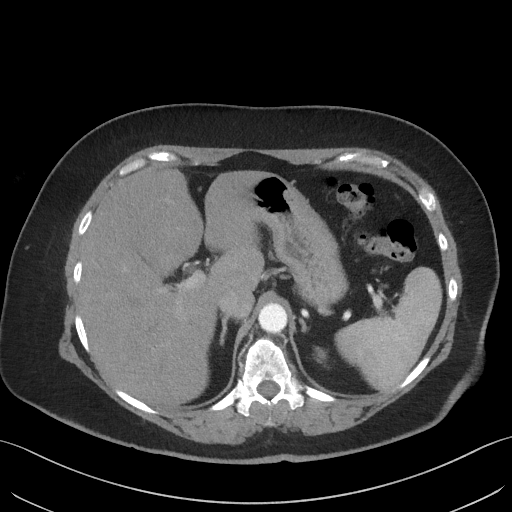
One axial slice (49 of 69, counting up from the lowest) of a contrast-enhanced abdominal CT acquired with 140 kVp, kernel I41f; each pixel is 0.736 mm and the slice is 3.00 mm thick.
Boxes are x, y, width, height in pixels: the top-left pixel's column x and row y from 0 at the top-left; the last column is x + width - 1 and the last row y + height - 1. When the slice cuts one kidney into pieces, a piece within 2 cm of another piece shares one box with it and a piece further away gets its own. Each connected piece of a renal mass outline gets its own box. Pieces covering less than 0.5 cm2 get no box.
Box x 313, y 347, width 14, height 19: left kidney (outlined area 183 px, about 1.0 cm2). No renal mass is outlined on this slice.